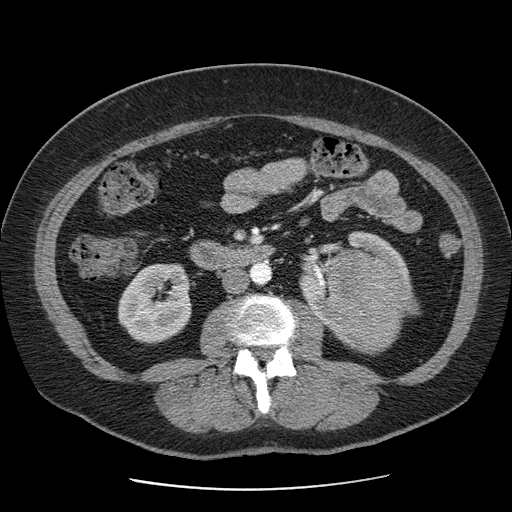
Abdominal CT with intravenous contrast, axial plane, 120 kVp, kernel STANDARD. Slice 33/103 from the bottom of the scan; thickness 2.50 mm; pixel size 0.736 mm.
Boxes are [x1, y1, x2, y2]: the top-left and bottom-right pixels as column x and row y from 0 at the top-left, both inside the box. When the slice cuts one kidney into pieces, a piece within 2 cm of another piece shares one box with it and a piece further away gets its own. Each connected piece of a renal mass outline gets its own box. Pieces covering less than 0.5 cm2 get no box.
Boxed on this slice (two kidney boxes and one renal mass box), listed by box centre from the image's left to its right: (1) Right kidney, box [118, 263, 191, 344] (outlined area 4,653 px, about 25.2 cm2). (2) Left kidney at [300, 231, 410, 335] (outlined area 2,584 px, about 14.0 cm2). (3) Box [325, 250, 417, 351]: left renal mass (outlined area 6,932 px, about 37.6 cm2).